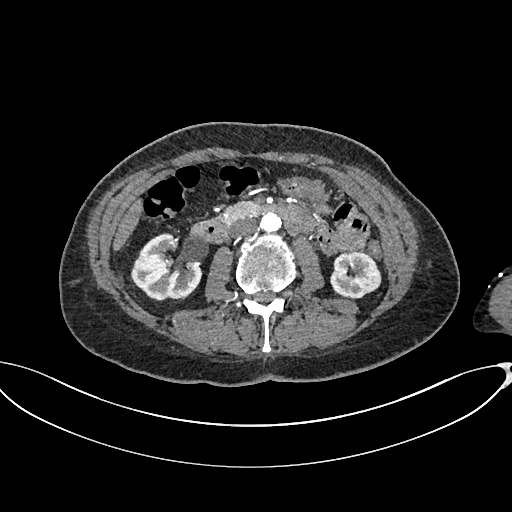
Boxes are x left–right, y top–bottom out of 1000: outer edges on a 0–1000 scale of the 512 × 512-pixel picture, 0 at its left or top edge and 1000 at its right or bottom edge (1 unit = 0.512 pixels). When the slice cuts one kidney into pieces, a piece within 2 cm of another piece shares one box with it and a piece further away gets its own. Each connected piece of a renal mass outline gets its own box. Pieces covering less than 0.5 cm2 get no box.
This is axial slice 355 of 665 (slice 1 is the lowest) of an arterial-phase abdominal CT with contrast; each pixel is 0.828 mm and the slice is 1.00 mm thick. Two kidney boxes on this slice; by box centre, from the image's left to its right: (1) Right kidney at x 254–396, y 455–590 out of 1000 (outlined area 3,371 px, about 23.1 cm2). (2) Box x 645–746, y 490–586 out of 1000: left kidney (outlined area 1,933 px, about 13.3 cm2). No renal mass is outlined on this slice.
Tube voltage 100 kVp; convolution kernel I26f.